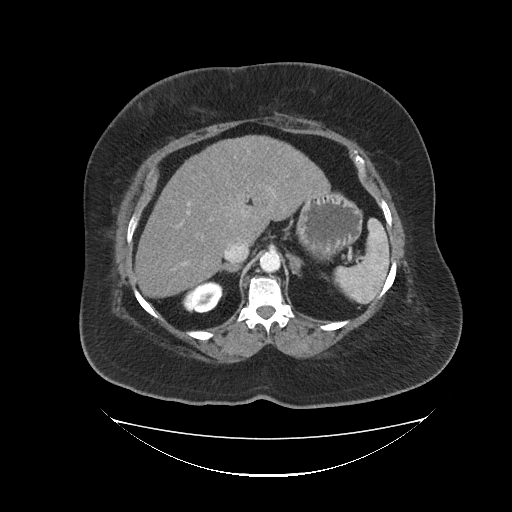
Arterial-phase contrast-enhanced abdominal CT, axial slice 69 of 85 (counted from the lowest slice); tube voltage 120 kVp, convolution kernel FC19; slices 5.00 mm thick, 1.041 mm per pixel.
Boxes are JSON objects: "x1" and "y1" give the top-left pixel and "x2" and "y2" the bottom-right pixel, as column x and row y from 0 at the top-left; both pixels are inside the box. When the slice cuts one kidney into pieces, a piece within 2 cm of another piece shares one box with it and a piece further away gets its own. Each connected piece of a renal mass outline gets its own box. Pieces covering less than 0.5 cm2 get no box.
Right kidney, box {"x1": 182, "y1": 281, "x2": 223, "y2": 313} (outlined area 987 px, about 10.7 cm2). This slice carries no renal mass outline.